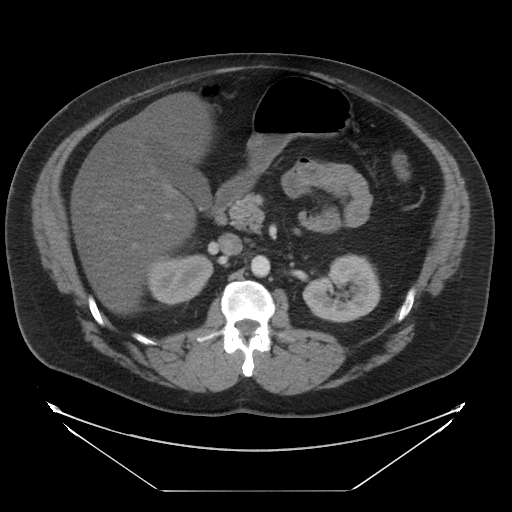
Abdominal CT with intravenous contrast, axial plane, 120 kVp, kernel STANDARD. Slice 20/29 from the bottom of the scan; thickness 5.00 mm; pixel size 0.977 mm.
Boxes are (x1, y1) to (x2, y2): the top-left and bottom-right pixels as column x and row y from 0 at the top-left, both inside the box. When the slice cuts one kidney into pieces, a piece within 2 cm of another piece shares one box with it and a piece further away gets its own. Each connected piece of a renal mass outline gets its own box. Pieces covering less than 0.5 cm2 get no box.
Two boxes on this slice (two kidney boxes), listed by box centre from the image's left to its right. (1) Box (144, 254) to (213, 304): right kidney (outlined area 2,665 px, about 25.4 cm2). (2) Left kidney from (302, 253) to (380, 322) (outlined area 3,882 px, about 37.0 cm2). No renal mass is outlined on this slice.